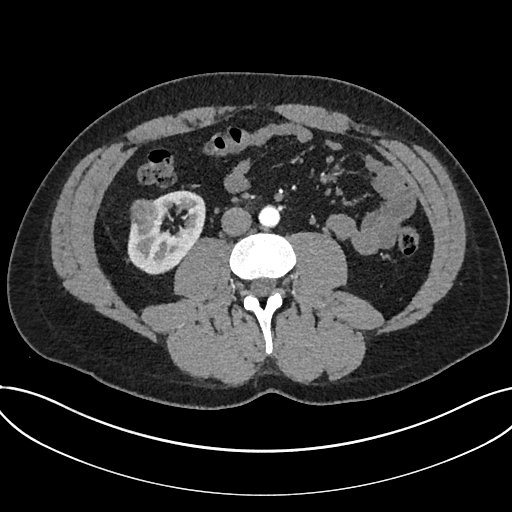
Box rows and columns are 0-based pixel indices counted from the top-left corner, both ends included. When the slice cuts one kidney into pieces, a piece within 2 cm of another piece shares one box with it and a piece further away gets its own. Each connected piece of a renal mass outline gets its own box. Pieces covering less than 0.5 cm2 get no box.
Slice 323/735 of a contrast-enhanced abdominal CT in the arterial phase, counting up from the lowest; pixel size 0.789 mm, slice thickness 1.00 mm. Boxed on this slice (one kidney box and one renal mass box), listed by box centre from the image's left to its right: (1) Box rows 199–229, columns 130–162: renal mass (outlined area 829 px, about 5.2 cm2). (2) Kidney, box rows 190–274, columns 127–205 (outlined area 3,889 px, about 24.2 cm2).
Scan settings: 120 kVp, I30f reconstruction kernel.